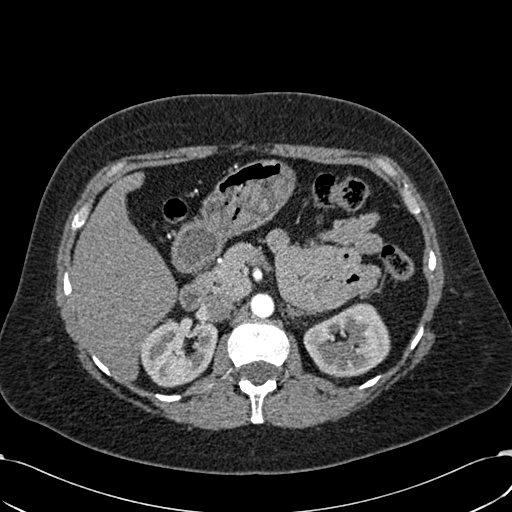
Axial slice 403 of 532 of a contrast-enhanced abdominal CT in the arterial phase (slice 1 is the lowest), 120 kVp, kernel B30f; 1.00 mm slice thickness and 0.713 mm pixels.
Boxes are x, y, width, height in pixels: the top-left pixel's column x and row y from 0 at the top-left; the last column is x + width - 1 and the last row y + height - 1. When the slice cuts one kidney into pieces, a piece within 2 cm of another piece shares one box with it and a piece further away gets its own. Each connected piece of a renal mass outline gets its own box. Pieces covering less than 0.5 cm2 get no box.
Boxed on this slice (two kidney boxes), listed by box centre from the image's left to its right: (1) Box x 139, y 319, width 79, height 69: right kidney (outlined area 4,040 px, about 20.5 cm2). (2) Left kidney, box x 303, y 303, width 88, height 75 (outlined area 4,643 px, about 23.6 cm2). This slice carries no renal mass outline.